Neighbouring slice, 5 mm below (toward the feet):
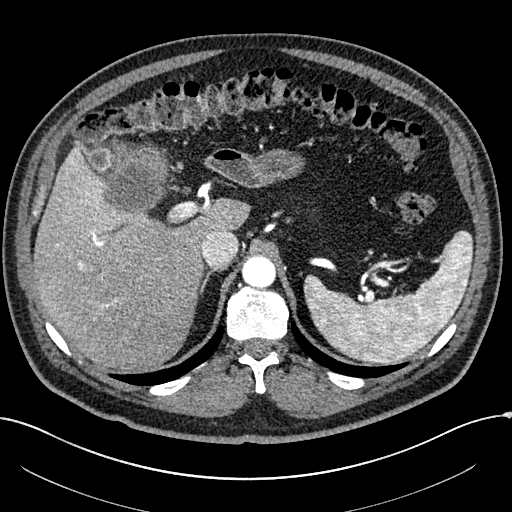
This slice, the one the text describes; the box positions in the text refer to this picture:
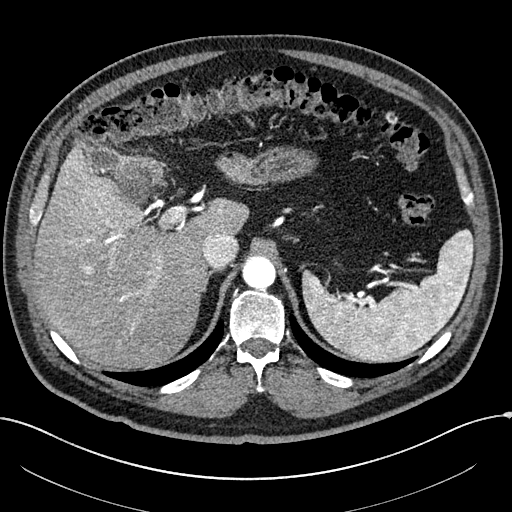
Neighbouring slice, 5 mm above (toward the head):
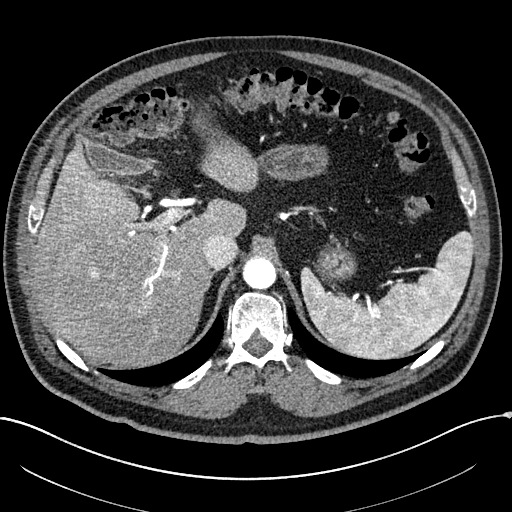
Axial slice 196 of 304 of a contrast-enhanced abdominal CT in the arterial phase (slice 1 is the lowest), 100 kVp, kernel I30f; 2.00 mm slice thickness and 0.809 mm pixels.
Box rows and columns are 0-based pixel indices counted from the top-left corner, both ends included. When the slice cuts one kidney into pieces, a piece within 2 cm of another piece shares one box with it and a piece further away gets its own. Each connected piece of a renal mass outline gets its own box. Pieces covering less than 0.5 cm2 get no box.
Right renal mass, box rows 154–204, columns 116–157 (outlined area 1,751 px, about 11.4 cm2); no kidney outline appears on this slice, but the same outlined renal mass comes within 1 cm of the kidney on another slice. This slice lies near the end of the right renal mass toward the head; the slices 5 mm below and 5 mm above it are shown too, and the boxes mark positions on this slice only.